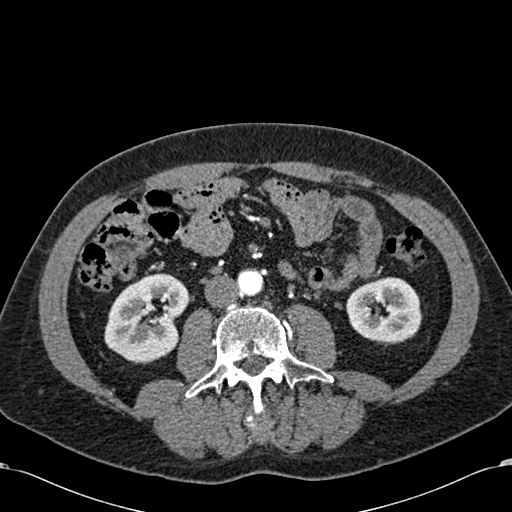
Arterial-phase contrast-enhanced abdominal CT, axial slice 268 of 581 (counted from the lowest slice); tube voltage 120 kVp, convolution kernel B30f; slices 1.00 mm thick, 0.713 mm per pixel.
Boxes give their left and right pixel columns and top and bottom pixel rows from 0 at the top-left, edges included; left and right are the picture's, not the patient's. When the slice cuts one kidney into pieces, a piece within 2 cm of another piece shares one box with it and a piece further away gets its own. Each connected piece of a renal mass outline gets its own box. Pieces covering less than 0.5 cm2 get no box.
Two kidney boxes on this slice; by box centre, from the image's left to its right: (1) Right kidney in the box with left 104, top 273, right 190, bottom 364 (outlined area 5,512 px, about 28.0 cm2). (2) Box with left 346, top 277, right 422, bottom 345: left kidney (outlined area 3,958 px, about 20.1 cm2). This slice carries no renal mass outline.